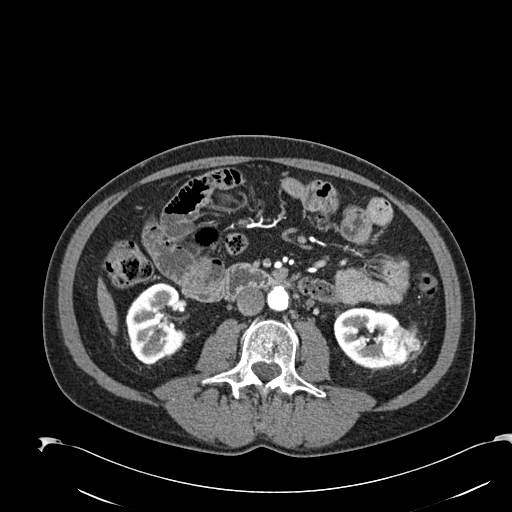
Arterial-phase contrast-enhanced abdominal CT, axial slice 89 of 274 (counted from the lowest slice); tube voltage 120 kVp, convolution kernel B30f; slices 2.00 mm thick, 0.809 mm per pixel.
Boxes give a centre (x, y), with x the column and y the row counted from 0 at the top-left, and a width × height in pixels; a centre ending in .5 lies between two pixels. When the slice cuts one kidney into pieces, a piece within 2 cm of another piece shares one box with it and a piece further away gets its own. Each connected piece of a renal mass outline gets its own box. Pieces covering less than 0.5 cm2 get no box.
Boxed on this slice (two kidney boxes and one renal mass box), listed by box centre from the image's left to its right: (1) Right kidney in a box with centre (154.5, 325.5), 60 × 78 pixels (outlined area 3,553 px, about 23.2 cm2). (2) Left kidney in a box with centre (366, 337.5), 67 × 62 pixels (outlined area 2,708 px, about 17.7 cm2). (3) Box centre (401, 344), 41 × 43 pixels: left renal mass (outlined area 1,231 px, about 8.0 cm2).